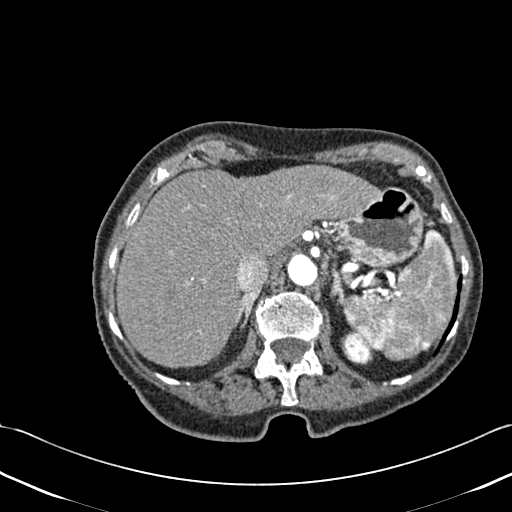
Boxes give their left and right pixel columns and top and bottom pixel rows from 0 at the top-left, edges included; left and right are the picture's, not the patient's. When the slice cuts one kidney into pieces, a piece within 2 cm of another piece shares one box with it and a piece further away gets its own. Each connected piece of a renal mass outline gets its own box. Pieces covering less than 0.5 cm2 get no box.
This is axial slice 341 of 433 (slice 1 is the lowest) of an abdominal CT with contrast; each pixel is 0.672 mm and the slice is 1.00 mm thick. Box with left 340, top 330, right 374, bottom 365: left kidney (outlined area 813 px, about 3.7 cm2). No renal mass outline on this slice.
Scan settings: 120 kVp, B30f reconstruction kernel.